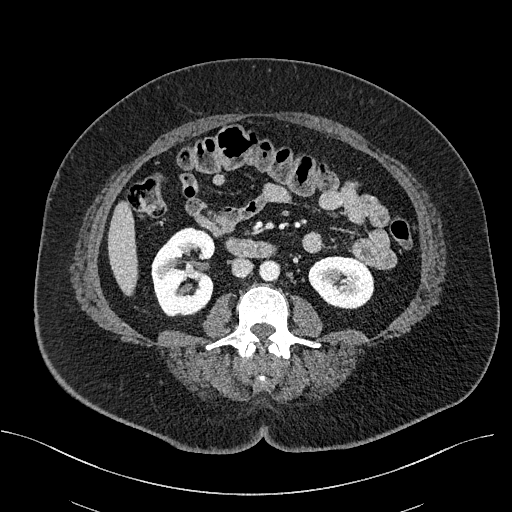
Axial slice 272 of 470 of a contrast-enhanced abdominal CT (slice 1 is the lowest), 100 kVp, kernel I40f; 2.00 mm slice thickness and 0.824 mm pixels.
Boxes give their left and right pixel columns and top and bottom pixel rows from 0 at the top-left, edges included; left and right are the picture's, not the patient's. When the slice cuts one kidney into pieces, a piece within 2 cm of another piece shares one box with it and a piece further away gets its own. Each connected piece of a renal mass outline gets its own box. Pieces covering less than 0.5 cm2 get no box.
Boxed on this slice (two kidney boxes and one renal mass box), listed by box centre from the image's left to its right: (1) Right renal mass in the box with left 154, top 263, right 169, bottom 278 (outlined area 194 px, about 1.3 cm2). (2) Box with left 151, top 227, right 215, bottom 316: right kidney (outlined area 4,238 px, about 28.8 cm2). (3) Box with left 308, top 256, right 374, bottom 309: left kidney (outlined area 2,739 px, about 18.6 cm2).